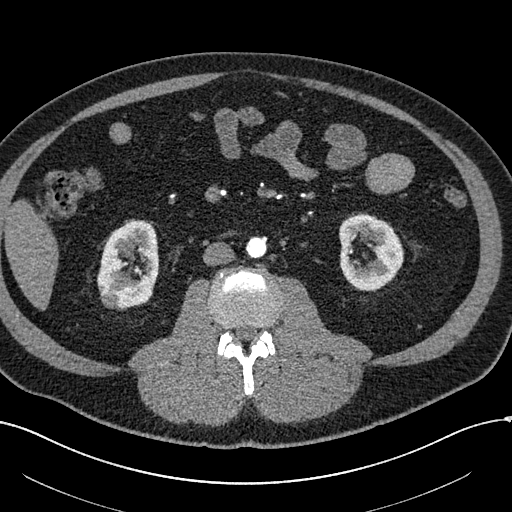
Arterial-phase contrast-enhanced abdominal CT, axial slice 263 of 602 (counted from the lowest slice); tube voltage 120 kVp, convolution kernel I30f; slices 1.00 mm thick, 0.799 mm per pixel.
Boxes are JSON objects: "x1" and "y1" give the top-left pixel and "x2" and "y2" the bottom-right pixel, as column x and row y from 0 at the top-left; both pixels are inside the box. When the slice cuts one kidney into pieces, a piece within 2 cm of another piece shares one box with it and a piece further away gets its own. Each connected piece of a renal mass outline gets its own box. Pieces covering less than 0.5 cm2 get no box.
Two kidney boxes and one renal mass box on this slice; by box centre, from the image's left to its right: (1) Right renal mass, box {"x1": 101, "y1": 293, "x2": 119, "y2": 308} (outlined area 242 px, about 1.5 cm2). (2) Right kidney, box {"x1": 97, "y1": 220, "x2": 158, "y2": 308} (outlined area 4,086 px, about 26.1 cm2). (3) Box {"x1": 339, "y1": 214, "x2": 404, "y2": 291}: left kidney (outlined area 3,631 px, about 23.2 cm2).